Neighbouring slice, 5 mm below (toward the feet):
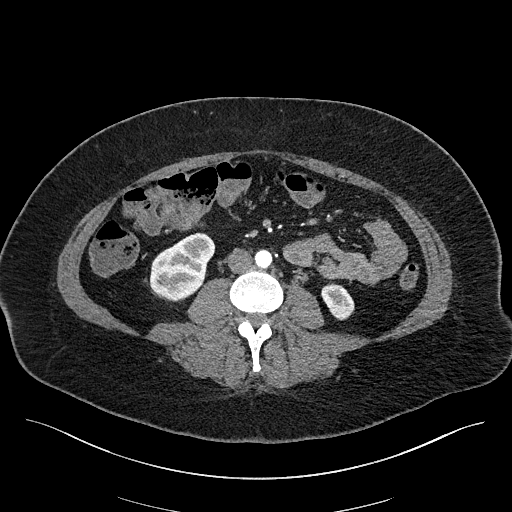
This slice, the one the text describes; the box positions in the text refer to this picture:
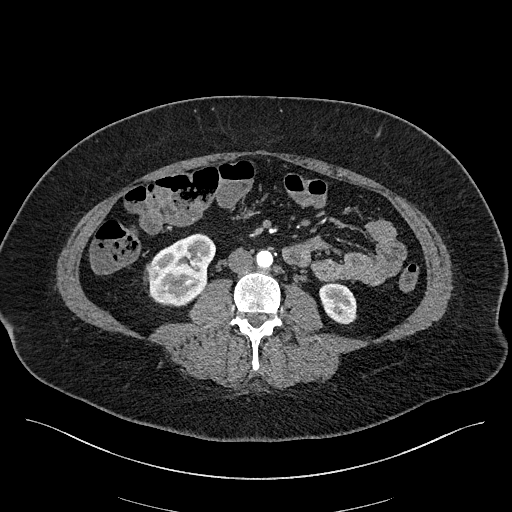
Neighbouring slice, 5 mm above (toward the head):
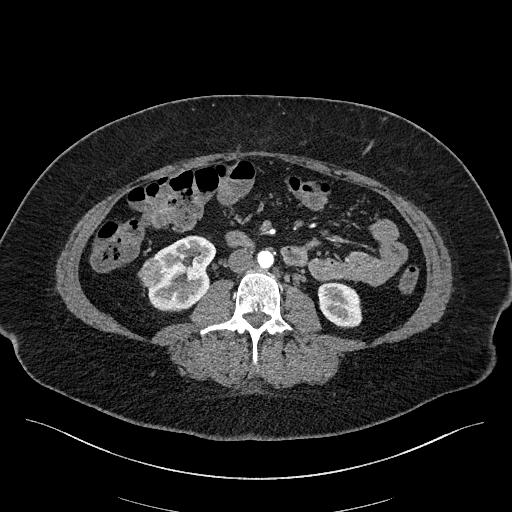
One axial slice (67 of 270, counting up from the lowest) of an arterial-phase abdominal CT acquired with 100 kVp, kernel I40f; each pixel is 0.855 mm and the slice is 2.00 mm thick.
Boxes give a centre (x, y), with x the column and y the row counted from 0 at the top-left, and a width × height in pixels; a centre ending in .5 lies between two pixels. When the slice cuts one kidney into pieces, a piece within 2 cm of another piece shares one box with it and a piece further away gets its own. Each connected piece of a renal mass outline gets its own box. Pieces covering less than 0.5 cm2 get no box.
Three boxes on this slice (two kidney boxes and one renal mass box), listed by box centre from the image's left to its right. (1) Right renal mass, box centre (154, 271.5), 17 × 20 pixels (outlined area 219 px, about 1.6 cm2). (2) Right kidney, box centre (182.5, 269), 68 × 73 pixels (outlined area 3,388 px, about 24.8 cm2). (3) Box centre (337.5, 303), 38 × 43 pixels: left kidney (outlined area 1,222 px, about 8.9 cm2). This slice is near the end of the right renal mass toward the feet, so the slices 5 mm below and 5 mm above it are shown as well; the boxes refer to this slice only.